Arterial-phase contrast-enhanced abdominal CT, axial slice 253 of 389 (counted from the lowest slice); tube voltage 120 kVp, convolution kernel STANDARD; slices 1.25 mm thick, 0.869 mm per pixel.
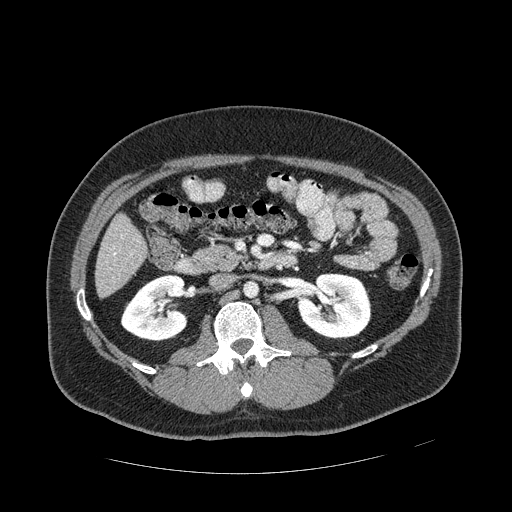
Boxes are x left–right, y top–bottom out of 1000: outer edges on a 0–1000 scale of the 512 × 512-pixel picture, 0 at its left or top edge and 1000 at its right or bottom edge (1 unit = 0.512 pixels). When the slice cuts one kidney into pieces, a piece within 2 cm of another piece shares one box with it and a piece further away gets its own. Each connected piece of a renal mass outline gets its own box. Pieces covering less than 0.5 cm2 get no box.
Boxed on this slice (two kidney boxes), listed by box centre from the image's left to its right: (1) Right kidney, box x 234–367, y 535–668 out of 1000 (outlined area 3,355 px, about 25.3 cm2). (2) Box x 580–727, y 533–664 out of 1000: left kidney (outlined area 3,887 px, about 29.4 cm2). No renal mass is outlined on this slice.